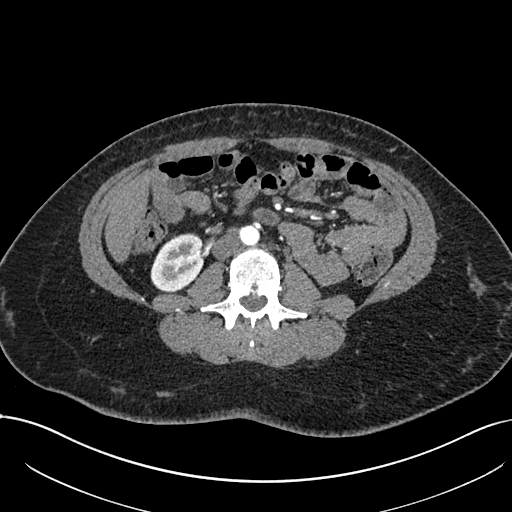
Axial slice 338 of 738 of a contrast-enhanced abdominal CT in the arterial phase (slice 1 is the lowest), 120 kVp, kernel I30f; 1.00 mm slice thickness and 0.789 mm pixels.
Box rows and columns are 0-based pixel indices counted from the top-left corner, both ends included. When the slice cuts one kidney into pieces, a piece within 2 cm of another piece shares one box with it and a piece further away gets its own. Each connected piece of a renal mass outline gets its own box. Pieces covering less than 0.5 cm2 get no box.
Right kidney, box rows 233–292, columns 150–203 (outlined area 2,374 px, about 14.8 cm2). No renal mass outline on this slice.